Axial slice 446 of 581 of a contrast-enhanced abdominal CT in the arterial phase (slice 1 is the lowest), 120 kVp, kernel B30f; 1.00 mm slice thickness and 0.713 mm pixels.
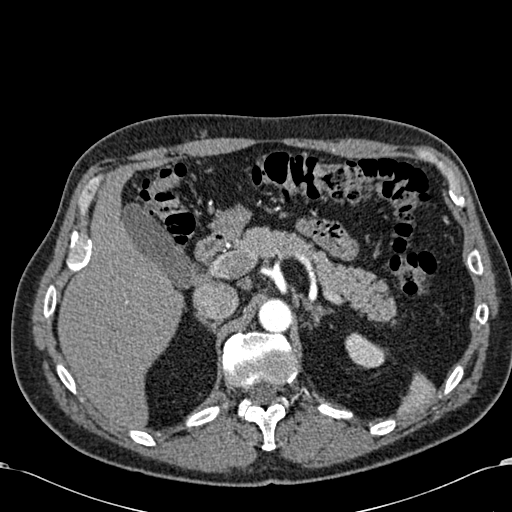
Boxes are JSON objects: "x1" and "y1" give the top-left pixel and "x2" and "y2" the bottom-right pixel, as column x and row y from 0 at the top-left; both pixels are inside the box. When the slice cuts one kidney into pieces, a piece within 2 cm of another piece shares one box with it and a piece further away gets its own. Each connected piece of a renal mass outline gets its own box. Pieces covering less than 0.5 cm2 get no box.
Box {"x1": 345, "y1": 332, "x2": 386, "y2": 368}: left kidney (outlined area 1,004 px, about 5.1 cm2). This slice carries no renal mass outline.